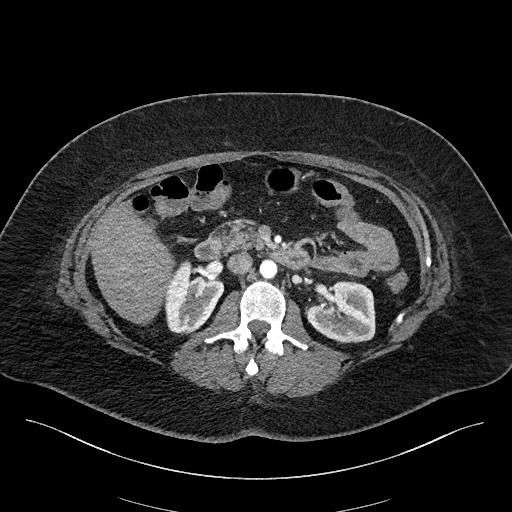
One axial slice (111 of 270, counting up from the lowest) of an arterial-phase abdominal CT acquired with 100 kVp, kernel I40f; each pixel is 0.855 mm and the slice is 2.00 mm thick.
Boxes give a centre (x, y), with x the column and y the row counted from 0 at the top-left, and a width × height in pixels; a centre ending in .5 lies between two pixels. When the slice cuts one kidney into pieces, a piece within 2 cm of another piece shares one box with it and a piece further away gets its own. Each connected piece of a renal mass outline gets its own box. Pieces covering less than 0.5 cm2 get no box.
Boxed on this slice (two kidney boxes), listed by box centre from the image's left to its right: (1) Right kidney, box centre (194, 297), 61 × 75 pixels (outlined area 3,098 px, about 22.7 cm2). (2) Left kidney, box centre (340.5, 312), 70 × 63 pixels (outlined area 3,391 px, about 24.8 cm2). This slice carries no renal mass outline.